Axial slice 475 of 612 of a contrast-enhanced abdominal CT in the arterial phase (slice 1 is the lowest), 120 kVp, kernel I30f; 1.00 mm slice thickness and 0.703 mm pixels.
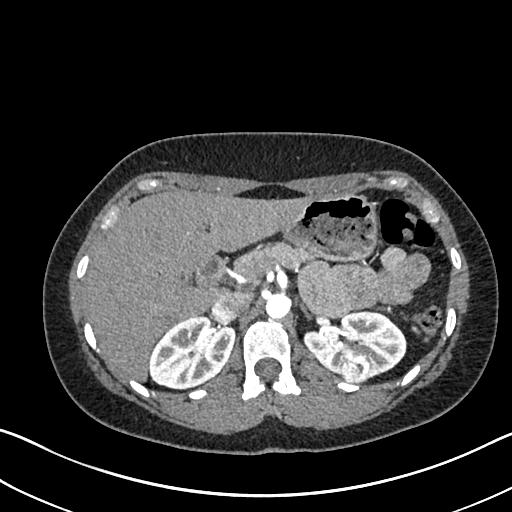
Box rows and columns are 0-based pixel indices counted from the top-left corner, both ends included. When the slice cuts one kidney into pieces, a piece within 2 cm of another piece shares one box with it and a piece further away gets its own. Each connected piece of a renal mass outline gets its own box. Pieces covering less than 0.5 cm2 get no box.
Two kidney boxes and one renal mass box on this slice; by box centre, from the image's left to its right: (1) Right kidney at rows 315–389, columns 149–234 (outlined area 4,651 px, about 23.0 cm2). (2) Box rows 355–381, columns 339–368: left renal mass (outlined area 673 px, about 3.3 cm2). (3) Left kidney, box rows 310–378, columns 303–406 (outlined area 4,531 px, about 22.4 cm2).